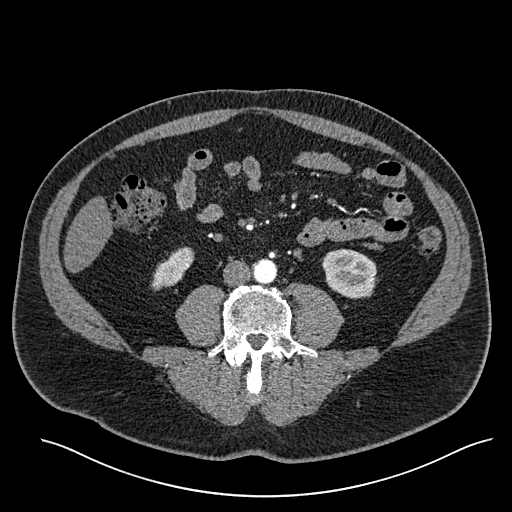
Arterial-phase contrast-enhanced abdominal CT, axial slice 206 of 527 (counted from the lowest slice); tube voltage 120 kVp, convolution kernel I30f; slices 1.00 mm thick, 0.859 mm per pixel.
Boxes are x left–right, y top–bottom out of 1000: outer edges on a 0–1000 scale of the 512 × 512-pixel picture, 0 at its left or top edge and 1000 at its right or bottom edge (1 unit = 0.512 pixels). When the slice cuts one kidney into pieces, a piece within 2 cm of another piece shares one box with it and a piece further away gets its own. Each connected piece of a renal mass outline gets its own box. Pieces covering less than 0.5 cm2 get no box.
Two boxes on this slice (two kidney boxes), listed by box centre from the image's left to its right. (1) Right kidney at x 293–381, y 482–568 out of 1000 (outlined area 1,119 px, about 8.3 cm2). (2) Left kidney at x 629–740, y 484–584 out of 1000 (outlined area 2,202 px, about 16.3 cm2). No renal mass is outlined on this slice.